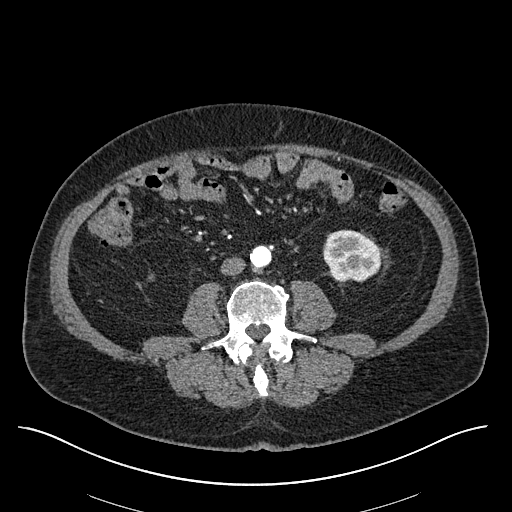
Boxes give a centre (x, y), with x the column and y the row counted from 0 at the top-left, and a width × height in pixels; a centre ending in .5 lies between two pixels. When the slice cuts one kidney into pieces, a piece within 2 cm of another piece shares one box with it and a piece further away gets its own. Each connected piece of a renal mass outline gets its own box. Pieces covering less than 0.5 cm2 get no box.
Slice 228/670 of a contrast-enhanced abdominal CT in the arterial phase, counting up from the lowest; pixel size 0.861 mm, slice thickness 1.00 mm. Box centre (351, 255), 59 × 53 pixels: left kidney (outlined area 2,439 px, about 18.1 cm2). No renal mass is outlined on this slice.
Tube voltage 120 kVp; convolution kernel I30f.